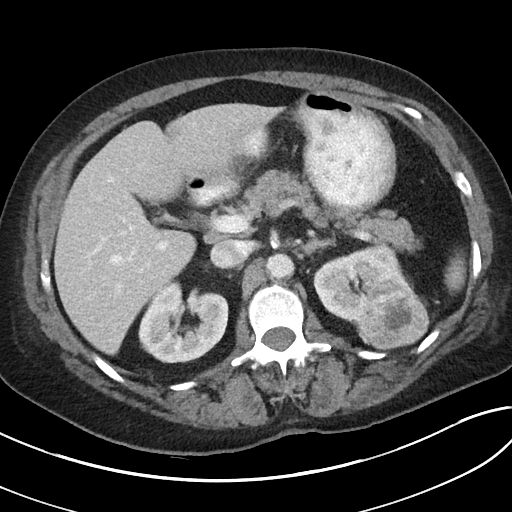
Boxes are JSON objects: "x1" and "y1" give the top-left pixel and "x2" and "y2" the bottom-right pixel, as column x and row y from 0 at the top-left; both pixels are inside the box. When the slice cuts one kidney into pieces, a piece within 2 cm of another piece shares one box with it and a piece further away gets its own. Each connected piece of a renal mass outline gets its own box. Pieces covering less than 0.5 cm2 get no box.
Contrast-enhanced abdominal CT, axial slice 63 of 80 (counted from the lowest slice); 5.00 mm thick, 0.703 mm per pixel. Two kidney boxes and one renal mass box on this slice; by box centre, from the image's left to its right: (1) Right kidney, box {"x1": 138, "y1": 280, "x2": 228, "y2": 363} (outlined area 5,363 px, about 26.5 cm2). (2) Left kidney at {"x1": 313, "y1": 244, "x2": 422, "y2": 329} (outlined area 4,814 px, about 23.8 cm2). (3) Left renal mass, box {"x1": 357, "y1": 293, "x2": 429, "y2": 347} (outlined area 3,149 px, about 15.6 cm2).
Scan settings: 100 kVp, I40f reconstruction kernel.